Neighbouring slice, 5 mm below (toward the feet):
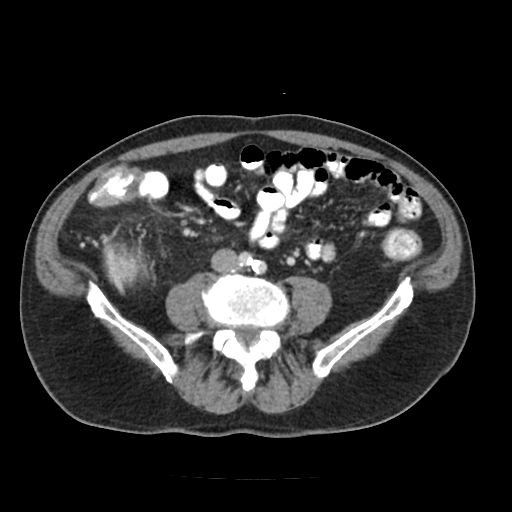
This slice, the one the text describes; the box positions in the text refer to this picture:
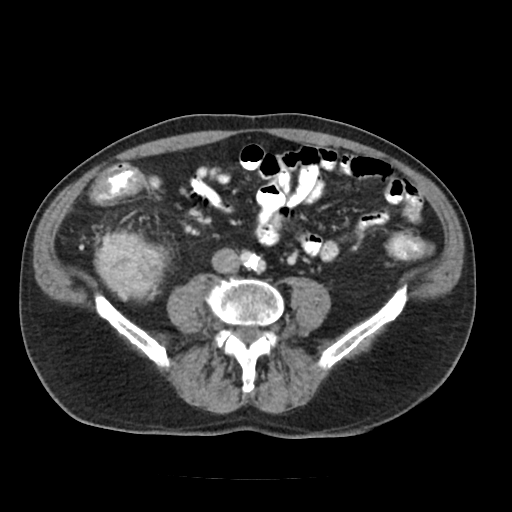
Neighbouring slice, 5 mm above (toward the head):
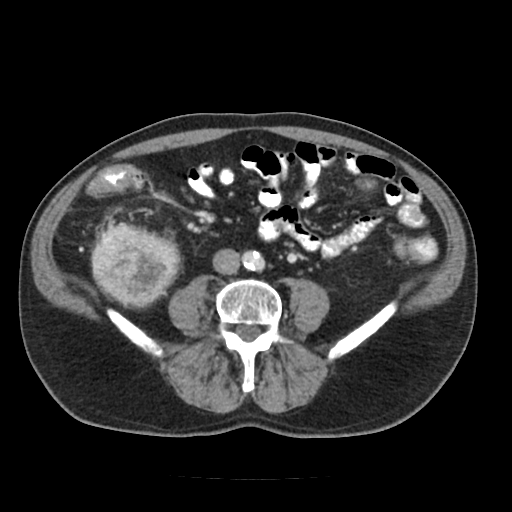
One axial slice (44 of 91, counting up from the lowest) of a contrast-enhanced abdominal CT acquired with 120 kVp, kernel FC18; each pixel is 0.766 mm and the slice is 5.00 mm thick.
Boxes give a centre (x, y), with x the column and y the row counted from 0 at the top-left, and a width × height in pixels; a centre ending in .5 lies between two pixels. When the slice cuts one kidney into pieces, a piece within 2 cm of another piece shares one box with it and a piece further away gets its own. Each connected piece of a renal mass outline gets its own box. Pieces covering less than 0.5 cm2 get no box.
Right renal mass, box centre (131, 264.5), 77 × 70 pixels (outlined area 4,066 px, about 23.9 cm2); no kidney outline appears on this slice, but the same outlined renal mass comes within 1 cm of the kidney on another slice. This slice lies near the end of the right renal mass toward the feet; the slices 5 mm below and 5 mm above it are shown too, and the boxes mark positions on this slice only.